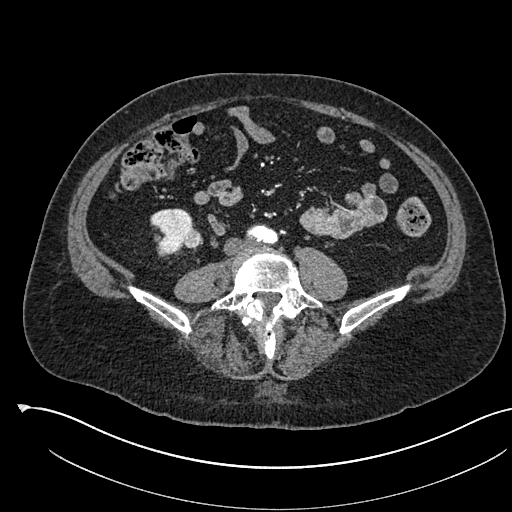
Axial slice 193 of 541 of a contrast-enhanced abdominal CT in the arterial phase (slice 1 is the lowest), 120 kVp, kernel I30f; 1.00 mm slice thickness and 0.834 mm pixels.
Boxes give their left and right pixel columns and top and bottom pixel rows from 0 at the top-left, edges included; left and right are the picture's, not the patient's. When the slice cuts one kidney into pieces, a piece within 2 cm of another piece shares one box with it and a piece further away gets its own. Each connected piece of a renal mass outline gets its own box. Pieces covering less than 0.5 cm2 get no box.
One kidney box and one renal mass box on this slice; by box centre, from the image's left to its right: (1) Right kidney in the box with left 150, top 208, right 194, bottom 257 (outlined area 1,481 px, about 10.3 cm2). (2) Right renal mass in the box with left 183, top 228, right 202, bottom 248 (outlined area 327 px, about 2.3 cm2).